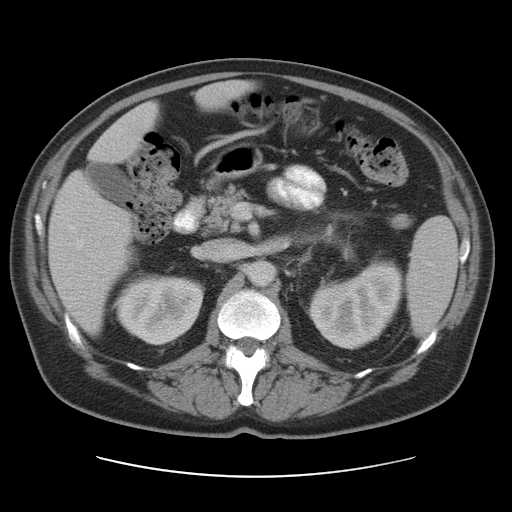
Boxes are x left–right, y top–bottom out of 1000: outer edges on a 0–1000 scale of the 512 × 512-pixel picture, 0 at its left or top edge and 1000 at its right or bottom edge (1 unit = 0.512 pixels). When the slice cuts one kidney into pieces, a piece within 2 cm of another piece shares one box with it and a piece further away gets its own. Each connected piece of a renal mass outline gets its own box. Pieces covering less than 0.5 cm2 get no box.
Slice 66/95 of a contrast-enhanced abdominal CT, counting up from the lowest; pixel size 0.781 mm, slice thickness 5.00 mm. Boxed on this slice (two kidney boxes), listed by box centre from the image's left to its right: (1) Box x 223–402, y 531–676 out of 1000: right kidney (outlined area 5,014 px, about 30.6 cm2). (2) Left kidney, box x 600–791, y 498–684 out of 1000 (outlined area 5,974 px, about 36.5 cm2). No renal mass outline on this slice.
Acquired at 120 kVp and reconstructed with the STANDARD kernel.